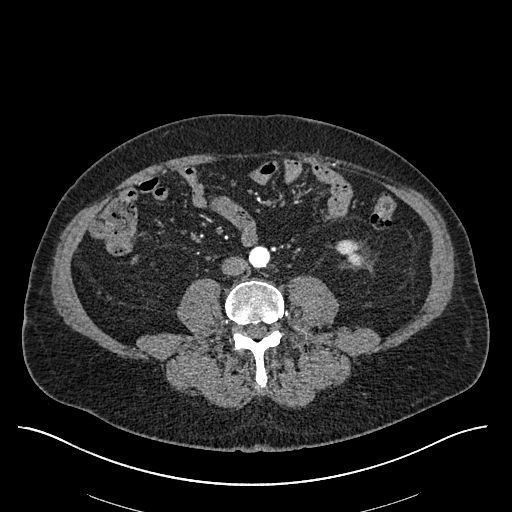
One axial slice (203 of 670, counting up from the lowest) of an arterial-phase abdominal CT acquired with 120 kVp, kernel I30f; each pixel is 0.861 mm and the slice is 1.00 mm thick.
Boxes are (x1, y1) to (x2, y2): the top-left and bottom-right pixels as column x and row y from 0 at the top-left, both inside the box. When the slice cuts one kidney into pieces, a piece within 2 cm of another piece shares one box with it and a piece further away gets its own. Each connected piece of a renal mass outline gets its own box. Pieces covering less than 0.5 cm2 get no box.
Box (338, 240) to (362, 263): left kidney (outlined area 379 px, about 2.8 cm2). No renal mass outline on this slice.